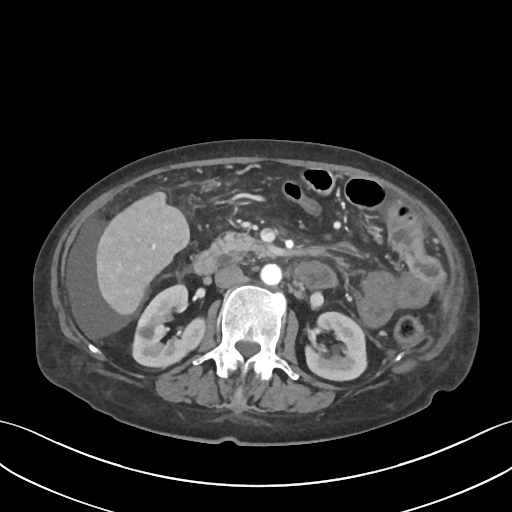
Contrast-enhanced abdominal CT, axial slice 39 of 109 (counted from the lowest slice); tube voltage 120 kVp, convolution kernel I30f; slices 3.00 mm thick, 0.742 mm per pixel.
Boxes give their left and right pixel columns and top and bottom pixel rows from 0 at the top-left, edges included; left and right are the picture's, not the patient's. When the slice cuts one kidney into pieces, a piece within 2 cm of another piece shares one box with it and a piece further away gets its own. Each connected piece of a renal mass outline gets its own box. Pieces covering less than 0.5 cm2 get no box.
Boxed on this slice (two kidney boxes), listed by box centre from the image's left to its right: (1) Right kidney in the box with left 131, top 283, right 204, bottom 368 (outlined area 4,014 px, about 22.1 cm2). (2) Box with left 304, top 311, right 367, bottom 381: left kidney (outlined area 3,450 px, about 19.0 cm2). No renal mass outline on this slice.